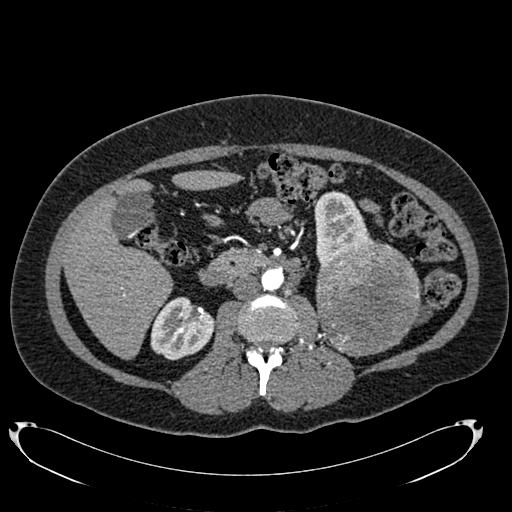
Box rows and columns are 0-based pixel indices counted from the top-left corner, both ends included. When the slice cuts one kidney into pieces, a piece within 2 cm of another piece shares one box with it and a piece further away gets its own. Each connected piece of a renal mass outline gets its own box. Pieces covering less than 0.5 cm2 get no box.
Slice 402/634 of a contrast-enhanced abdominal CT in the arterial phase, counting up from the lowest; pixel size 0.838 mm, slice thickness 1.00 mm. Two kidney boxes and one renal mass box on this slice; by box centre, from the image's left to its right: (1) Right kidney, box rows 297–360, columns 150–213 (outlined area 2,973 px, about 20.9 cm2). (2) Left kidney, box rows 190–269, columns 314–375 (outlined area 2,877 px, about 20.2 cm2). (3) Left renal mass at rows 242–357, columns 315–421 (outlined area 9,545 px, about 67.0 cm2).
Scan settings: 120 kVp, B20f reconstruction kernel.